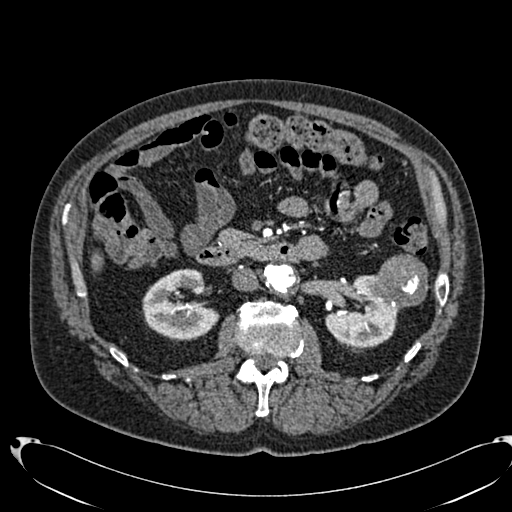
Abdominal CT with intravenous contrast, arterial phase, axial plane, 120 kVp, kernel B20f. Slice 404/553 from the bottom of the scan; thickness 1.00 mm; pixel size 0.773 mm.
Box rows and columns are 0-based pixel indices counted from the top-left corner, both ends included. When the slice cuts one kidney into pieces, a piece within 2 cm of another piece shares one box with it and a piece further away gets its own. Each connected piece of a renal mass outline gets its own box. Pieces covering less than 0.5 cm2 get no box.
Three boxes on this slice (two kidney boxes and one renal mass box), listed by box centre from the image's left to its right. (1) Box rows 268–340, columns 142–219: right kidney (outlined area 3,835 px, about 22.9 cm2). (2) Box rows 275–348, columns 325–399: left kidney (outlined area 3,298 px, about 19.7 cm2). (3) Left renal mass at rows 254–308, columns 368–428 (outlined area 2,449 px, about 14.7 cm2).